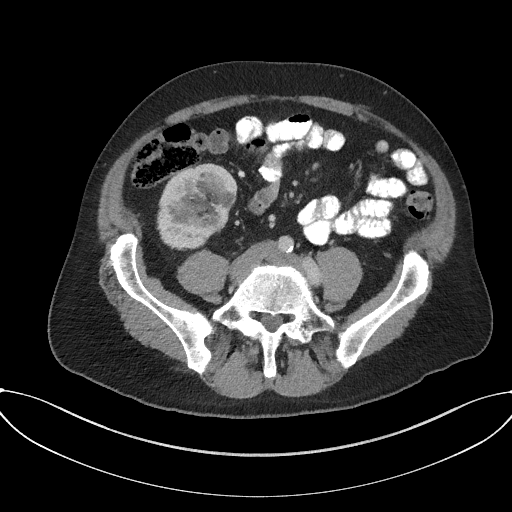
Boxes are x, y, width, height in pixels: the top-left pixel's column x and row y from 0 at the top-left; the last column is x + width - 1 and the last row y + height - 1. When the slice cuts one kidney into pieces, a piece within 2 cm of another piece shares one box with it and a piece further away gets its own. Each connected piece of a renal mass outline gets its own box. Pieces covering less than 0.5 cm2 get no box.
Arterial-phase contrast-enhanced abdominal CT, axial slice 67 of 227 (counted from the lowest slice); 3.00 mm thick, 0.816 mm per pixel. Right kidney at x 156, y 163, width 82, height 87 (outlined area 5,163 px, about 34.4 cm2). No renal mass outline on this slice.
Tube voltage 120 kVp; convolution kernel I31f.